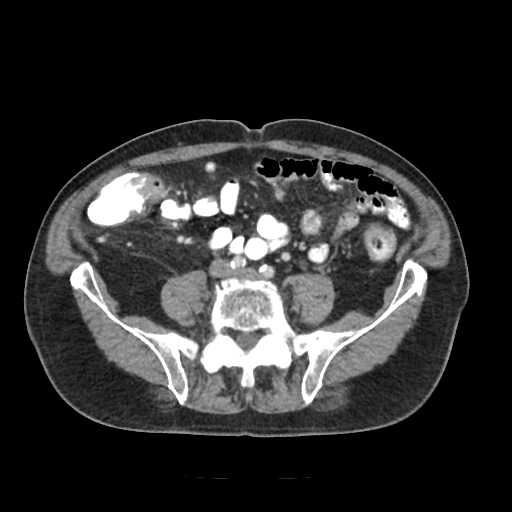
Axial slice 39 of 91 of a contrast-enhanced abdominal CT (slice 1 is the lowest), 120 kVp, kernel FC18; 5.00 mm slice thickness and 0.766 mm pixels.
This slice carries no outline: it lies beyond the outlined kidneys and beyond every outlined renal mass. Other organs are not outlined in this scan.